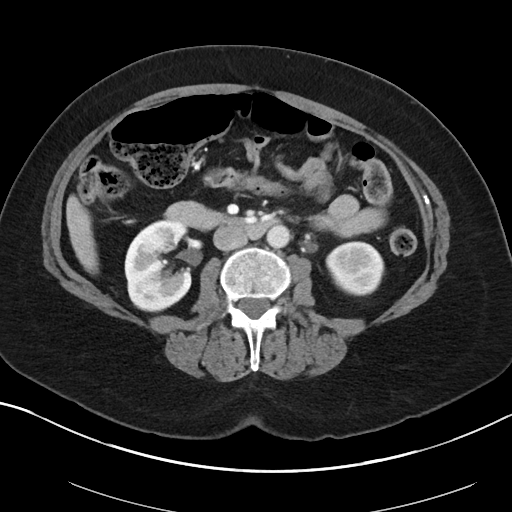
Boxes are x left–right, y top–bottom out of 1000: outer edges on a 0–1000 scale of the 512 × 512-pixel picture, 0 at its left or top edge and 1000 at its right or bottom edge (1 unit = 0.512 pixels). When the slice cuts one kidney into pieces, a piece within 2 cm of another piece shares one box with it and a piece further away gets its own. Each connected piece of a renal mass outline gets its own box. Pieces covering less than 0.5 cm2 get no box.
Arterial-phase contrast-enhanced abdominal CT, axial slice 51 of 88 (counted from the lowest slice); 5.00 mm thick, 0.705 mm per pixel. Two kidney boxes on this slice; by box centre, from the image's left to its right: (1) Box x 242–375, y 430–611 out of 1000: right kidney (outlined area 4,848 px, about 24.1 cm2). (2) Left kidney at x 635–752, y 471–580 out of 1000 (outlined area 2,534 px, about 12.6 cm2). No renal mass is outlined on this slice.
Tube voltage 100 kVp; convolution kernel I40f.